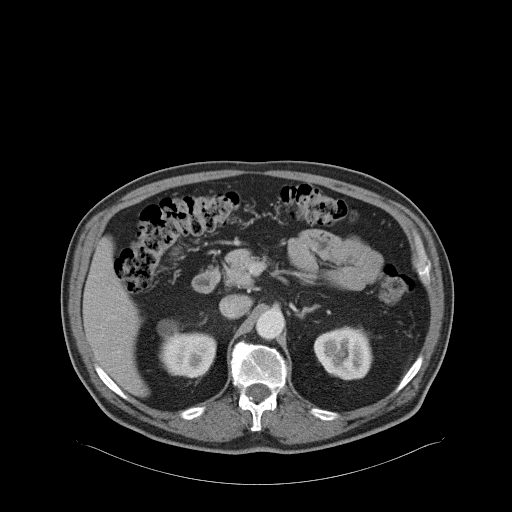
Axial slice 51 of 68 of a contrast-enhanced abdominal CT in the arterial phase (slice 1 is the lowest), 120 kVp, kernel B31f; 5.00 mm slice thickness and 0.961 mm pixels.
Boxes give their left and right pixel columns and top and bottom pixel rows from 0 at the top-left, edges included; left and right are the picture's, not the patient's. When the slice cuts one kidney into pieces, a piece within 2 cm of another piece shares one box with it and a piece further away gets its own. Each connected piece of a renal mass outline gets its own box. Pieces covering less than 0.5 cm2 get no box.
Boxed on this slice (two kidney boxes), listed by box centre from the image's left to its right: (1) Right kidney, the box with left 158, top 320, right 216, bottom 378 (outlined area 2,521 px, about 23.3 cm2). (2) Left kidney, the box with left 313, top 325, right 372, bottom 380 (outlined area 2,525 px, about 23.3 cm2). This slice carries no renal mass outline.